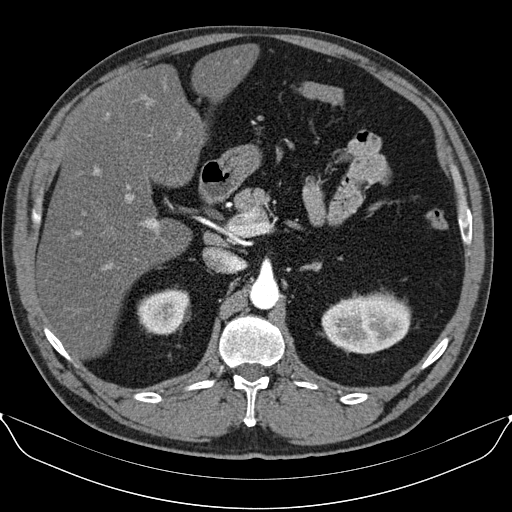
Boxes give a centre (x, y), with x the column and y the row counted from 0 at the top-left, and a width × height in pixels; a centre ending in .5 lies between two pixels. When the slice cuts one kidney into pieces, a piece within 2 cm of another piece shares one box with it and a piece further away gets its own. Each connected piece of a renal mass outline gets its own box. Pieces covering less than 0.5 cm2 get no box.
Arterial-phase contrast-enhanced abdominal CT, axial slice 67 of 96 (counted from the lowest slice); 3.00 mm thick, 0.781 mm per pixel. Two kidney boxes on this slice; by box centre, from the image's left to its right: (1) Box centre (163.5, 313), 50 × 43 pixels: right kidney (outlined area 1,641 px, about 10.0 cm2). (2) Left kidney in a box with centre (365.5, 322.5), 90 × 62 pixels (outlined area 4,280 px, about 26.1 cm2). No renal mass outline on this slice.
Tube voltage 130 kVp; convolution kernel B30s.